One axial slice (246 of 683, counting up from the lowest) of an arterial-phase abdominal CT acquired with 120 kVp, kernel I30f; each pixel is 0.738 mm and the slice is 1.00 mm thick.
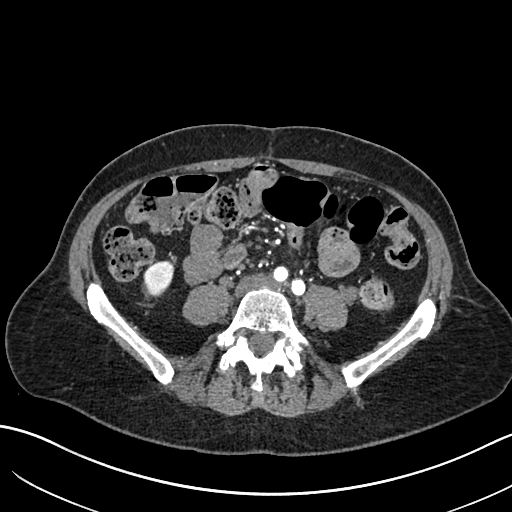
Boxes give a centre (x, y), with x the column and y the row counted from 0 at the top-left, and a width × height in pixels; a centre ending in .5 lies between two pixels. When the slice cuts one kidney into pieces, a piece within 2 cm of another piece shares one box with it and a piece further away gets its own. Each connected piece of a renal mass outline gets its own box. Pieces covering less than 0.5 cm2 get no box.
Right kidney, box centre (158.5, 277.5), 32 × 36 pixels (outlined area 867 px, about 4.7 cm2). No renal mass outline on this slice.